Axial slice 442 of 1059 of a contrast-enhanced abdominal CT in the arterial phase (slice 1 is the lowest), 100 kVp, kernel I30f; 1.00 mm slice thickness and 0.811 mm pixels.
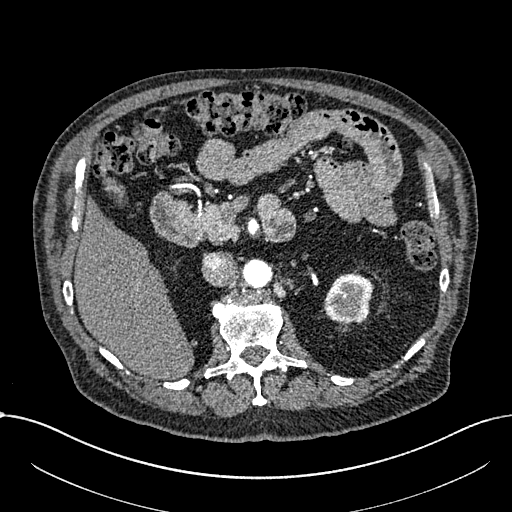
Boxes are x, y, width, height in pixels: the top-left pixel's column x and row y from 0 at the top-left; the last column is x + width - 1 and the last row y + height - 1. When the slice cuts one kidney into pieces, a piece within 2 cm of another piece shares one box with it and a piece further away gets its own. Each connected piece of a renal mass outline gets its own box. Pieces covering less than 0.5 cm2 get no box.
Left part of the midline-crossing kidney, box x 323, y 273, width 52, height 52 (outlined area 2,027 px, about 13.3 cm2). No renal mass is outlined on this slice.